One axial slice (167 of 199, counting up from the lowest) of an arterial-phase abdominal CT acquired with 120 kVp, kernel STANDARD; each pixel is 0.789 mm and the slice is 2.50 mm thick.
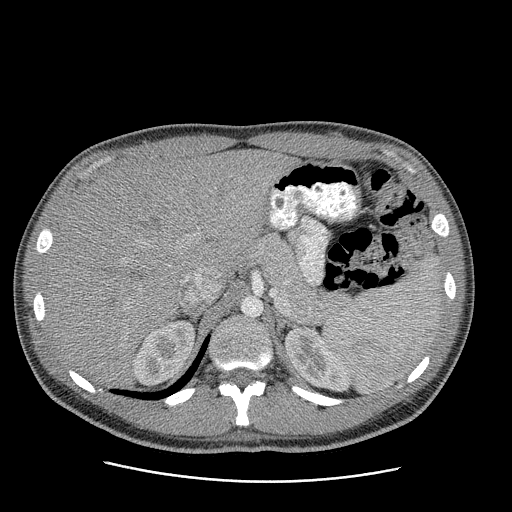
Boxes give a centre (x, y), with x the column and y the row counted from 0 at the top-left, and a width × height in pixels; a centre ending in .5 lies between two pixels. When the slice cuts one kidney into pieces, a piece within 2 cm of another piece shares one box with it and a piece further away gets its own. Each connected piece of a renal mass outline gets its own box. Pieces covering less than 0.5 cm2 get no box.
Two boxes on this slice (two kidney boxes), listed by box centre from the image's left to its right. (1) Box centre (163.5, 353), 62 × 67 pixels: right kidney (outlined area 2,877 px, about 17.9 cm2). (2) Left kidney in a box with centre (317, 359), 67 × 67 pixels (outlined area 2,800 px, about 17.4 cm2). No renal mass outline on this slice.